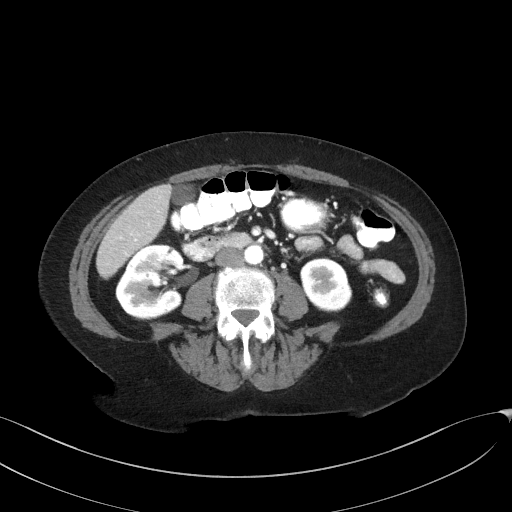
Abdominal CT with intravenous contrast, arterial phase, axial plane, 100 kVp, kernel I41f. Slice 78/129 from the bottom of the scan; thickness 3.00 mm; pixel size 0.779 mm.
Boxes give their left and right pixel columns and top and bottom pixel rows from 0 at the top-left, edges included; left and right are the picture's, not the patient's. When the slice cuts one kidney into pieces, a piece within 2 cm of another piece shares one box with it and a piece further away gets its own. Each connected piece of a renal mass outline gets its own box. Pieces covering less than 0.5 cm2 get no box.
Boxed on this slice (two kidney boxes), listed by box centre from the image's left to its right: (1) Right kidney in the box with left 115, top 245, right 183, bottom 319 (outlined area 4,012 px, about 24.4 cm2). (2) Box with left 300, top 257, right 352, bottom 312: left kidney (outlined area 2,196 px, about 13.3 cm2). No renal mass outline on this slice.